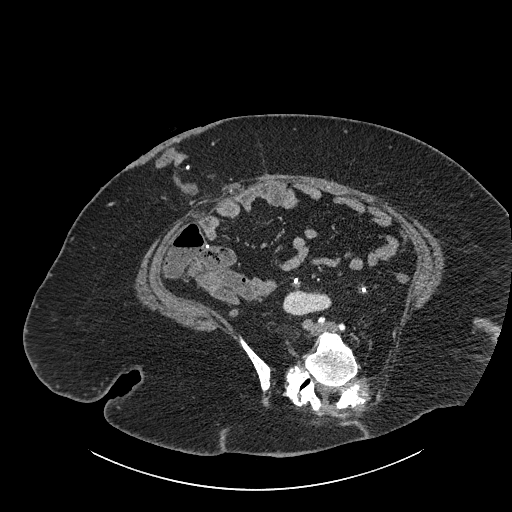
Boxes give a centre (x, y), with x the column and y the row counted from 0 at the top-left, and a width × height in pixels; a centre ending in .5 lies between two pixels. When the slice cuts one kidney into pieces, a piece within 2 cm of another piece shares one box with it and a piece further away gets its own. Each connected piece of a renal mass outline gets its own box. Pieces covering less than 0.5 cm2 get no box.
Contrast-enhanced abdominal CT, axial slice 389 of 834 (counted from the lowest slice); 1.00 mm thick, 0.977 mm per pixel. Box centre (306.5, 302), 50 × 27 pixels: right part of the midline-crossing kidney (outlined area 996 px, about 9.5 cm2). No renal mass outline on this slice.
Acquired at 140 kVp and reconstructed with the I30f kernel.